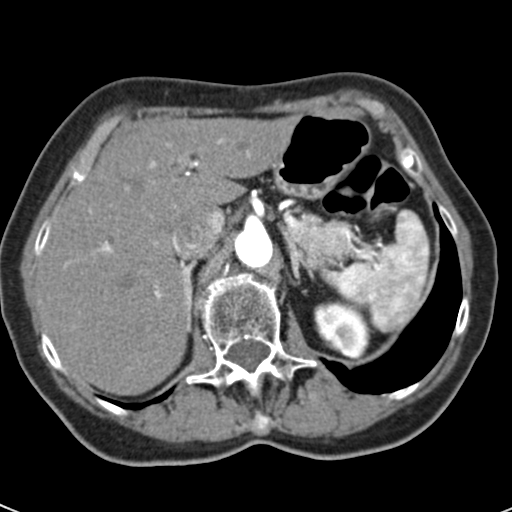
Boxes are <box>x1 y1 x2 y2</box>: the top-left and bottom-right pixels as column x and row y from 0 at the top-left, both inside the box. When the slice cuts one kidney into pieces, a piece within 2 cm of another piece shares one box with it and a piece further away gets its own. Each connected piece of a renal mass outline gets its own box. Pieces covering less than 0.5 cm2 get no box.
Arterial-phase contrast-enhanced abdominal CT, axial slice 46 of 53 (counted from the lowest slice); 3.00 mm thick, 0.547 mm per pixel. Left kidney: <box>313 300 371 358</box> (outlined area 2,503 px, about 7.5 cm2). This slice carries no renal mass outline.
Acquired at 120 kVp and reconstructed with the B30f kernel.